Abdominal CT with intravenous contrast, axial plane, 120 kVp, kernel B30f. Slice 327/433 from the bottom of the scan; thickness 1.00 mm; pixel size 0.672 mm.
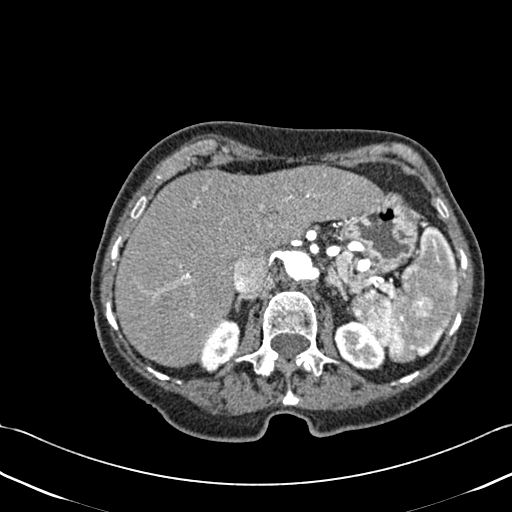
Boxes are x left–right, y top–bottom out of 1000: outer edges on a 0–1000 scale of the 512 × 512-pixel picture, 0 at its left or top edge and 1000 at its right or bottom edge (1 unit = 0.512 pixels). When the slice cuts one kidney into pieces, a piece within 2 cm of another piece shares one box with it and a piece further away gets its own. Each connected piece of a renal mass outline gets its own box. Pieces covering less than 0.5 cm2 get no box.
Two kidney boxes on this slice; by box centre, from the image's left to its right: (1) Right kidney at x 391–471, y 621–730 out of 1000 (outlined area 1,450 px, about 6.5 cm2). (2) Box x 650–756, y 625–725 out of 1000: left kidney (outlined area 1,831 px, about 8.3 cm2). This slice carries no renal mass outline.